Arterial-phase contrast-enhanced abdominal CT, axial slice 452 of 738 (counted from the lowest slice); tube voltage 120 kVp, convolution kernel I30f; slices 1.00 mm thick, 0.789 mm per pixel.
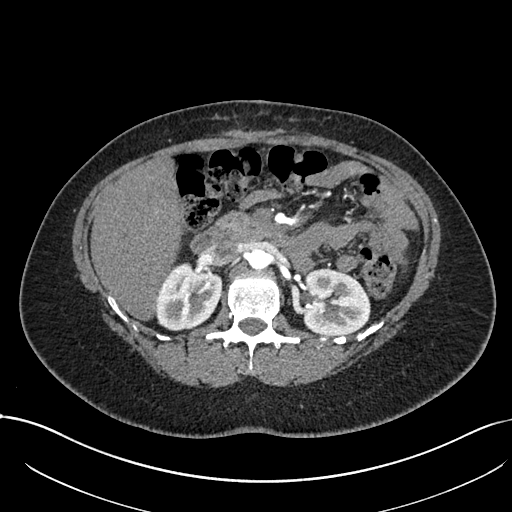
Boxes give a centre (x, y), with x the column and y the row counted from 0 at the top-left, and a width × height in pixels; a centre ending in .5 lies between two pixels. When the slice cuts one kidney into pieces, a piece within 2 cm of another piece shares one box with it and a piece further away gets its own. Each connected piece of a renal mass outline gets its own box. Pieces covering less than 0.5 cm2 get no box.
Two boxes on this slice (two kidney boxes), listed by box centre from the image's left to its right. (1) Right kidney in a box with centre (188.5, 296), 68 × 71 pixels (outlined area 3,548 px, about 22.1 cm2). (2) Left kidney, box centre (336, 302), 69 × 69 pixels (outlined area 3,837 px, about 23.9 cm2). No renal mass outline on this slice.